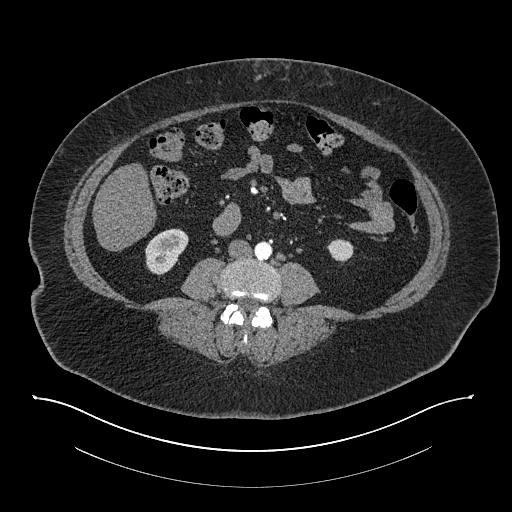
One axial slice (349 of 673, counting up from the lowest) of an arterial-phase abdominal CT acquired with 140 kVp, kernel I30f; each pixel is 0.957 mm and the slice is 1.00 mm thick.
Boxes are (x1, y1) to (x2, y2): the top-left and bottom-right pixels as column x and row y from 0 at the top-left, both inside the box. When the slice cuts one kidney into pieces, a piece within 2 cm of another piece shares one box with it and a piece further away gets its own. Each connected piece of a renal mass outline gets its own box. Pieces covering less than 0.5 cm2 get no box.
Two boxes on this slice (two kidney boxes), listed by box centre from the image's left to its right. (1) Box (145, 228) to (188, 275): right kidney (outlined area 1,451 px, about 13.3 cm2). (2) Box (327, 239) to (353, 263): left kidney (outlined area 471 px, about 4.3 cm2). This slice carries no renal mass outline.